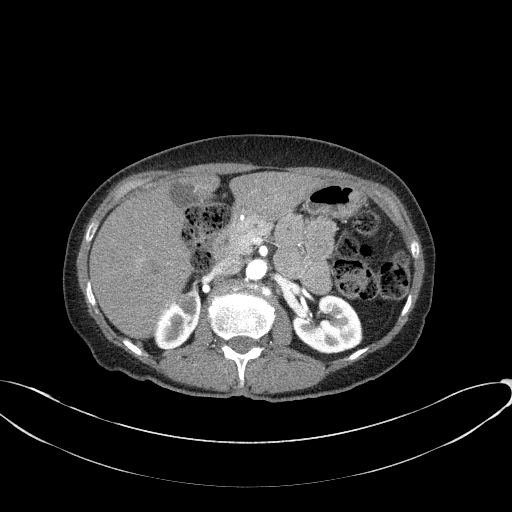
One axial slice (39 of 77, counting up from the lowest) of an arterial-phase abdominal CT acquired with 100 kVp, kernel B41f; each pixel is 0.809 mm and the slice is 3.00 mm thick.
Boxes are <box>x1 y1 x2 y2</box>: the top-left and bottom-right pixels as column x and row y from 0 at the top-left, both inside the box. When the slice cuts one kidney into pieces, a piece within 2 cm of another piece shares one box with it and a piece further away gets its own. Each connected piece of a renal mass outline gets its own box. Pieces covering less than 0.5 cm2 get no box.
Boxed on this slice (two kidney boxes), listed by box centre from the image's left to its right: (1) Right kidney at <box>154 289 200 350</box> (outlined area 1,903 px, about 12.4 cm2). (2) Left kidney: <box>292 294 362 354</box> (outlined area 3,065 px, about 20.0 cm2). No renal mass outline on this slice.